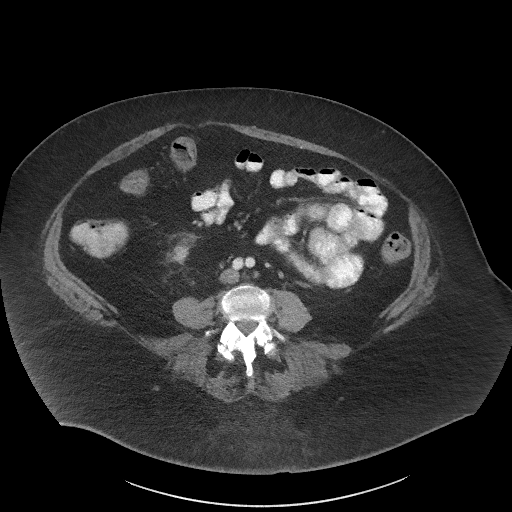
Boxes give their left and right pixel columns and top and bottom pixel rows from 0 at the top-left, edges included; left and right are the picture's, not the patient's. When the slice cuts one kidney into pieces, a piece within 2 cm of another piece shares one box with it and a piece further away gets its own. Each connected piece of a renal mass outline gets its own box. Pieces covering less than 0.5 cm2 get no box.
Arterial-phase contrast-enhanced abdominal CT, axial slice 6 of 61 (counted from the lowest slice); 3.00 mm thick, 0.947 mm per pixel. Box with left 175, top 238, right 191, bottom 256: right kidney (outlined area 215 px, about 1.9 cm2). This slice carries no renal mass outline.
Scan settings: 140 kVp, I41f reconstruction kernel.